One axial slice (73 of 104, counting up from the lowest) of a contrast-enhanced abdominal CT acquired with 120 kVp, kernel B41f; each pixel is 0.977 mm and the slice is 5.00 mm thick.
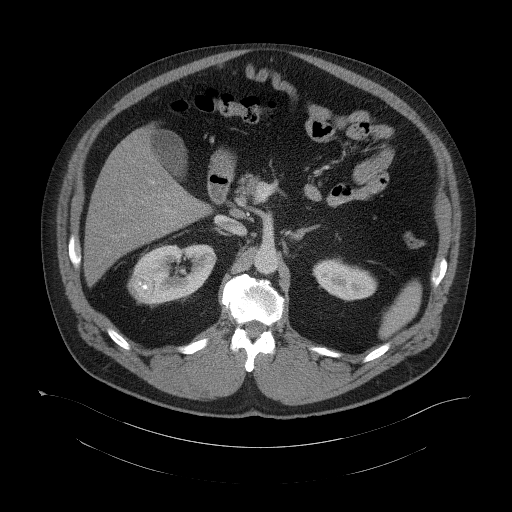
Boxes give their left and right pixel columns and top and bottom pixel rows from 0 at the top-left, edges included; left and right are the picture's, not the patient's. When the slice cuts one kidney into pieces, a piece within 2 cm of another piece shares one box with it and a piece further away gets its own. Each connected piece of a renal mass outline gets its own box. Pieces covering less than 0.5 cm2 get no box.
Two kidney boxes and one renal mass box on this slice; by box centre, from the image's left to its right: (1) Right renal mass in the box with left 127, top 272, right 153, bottom 297 (outlined area 534 px, about 5.1 cm2). (2) Box with left 132, top 243, right 216, bottom 304: right kidney (outlined area 3,443 px, about 32.8 cm2). (3) Box with left 312, top 258, right 377, bottom 301: left kidney (outlined area 1,952 px, about 18.6 cm2).